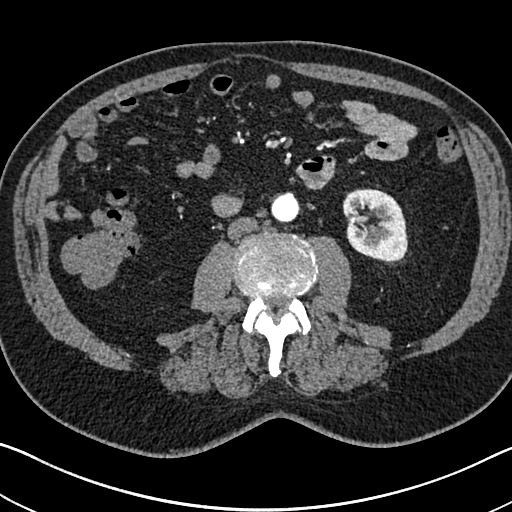
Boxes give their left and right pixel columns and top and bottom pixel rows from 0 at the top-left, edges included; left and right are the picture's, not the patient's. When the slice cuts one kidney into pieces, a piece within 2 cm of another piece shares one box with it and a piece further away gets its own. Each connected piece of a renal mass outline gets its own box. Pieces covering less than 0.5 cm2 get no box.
Slice 325/705 of a contrast-enhanced abdominal CT in the arterial phase, counting up from the lowest; pixel size 0.703 mm, slice thickness 1.00 mm. Left kidney, the box with left 341, top 188, right 407, bottom 263 (outlined area 3,792 px, about 18.7 cm2). No renal mass is outlined on this slice.
Acquired at 120 kVp and reconstructed with the I30f kernel.